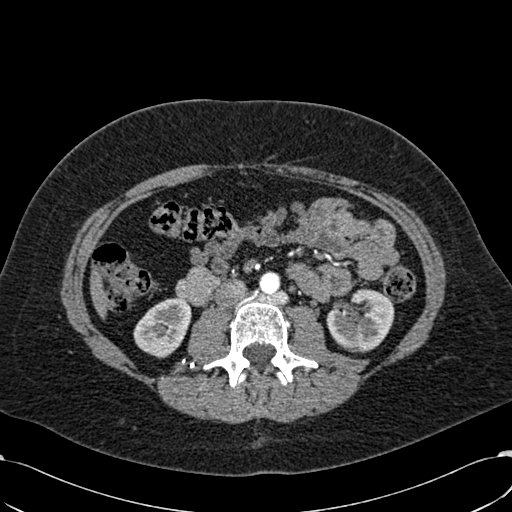
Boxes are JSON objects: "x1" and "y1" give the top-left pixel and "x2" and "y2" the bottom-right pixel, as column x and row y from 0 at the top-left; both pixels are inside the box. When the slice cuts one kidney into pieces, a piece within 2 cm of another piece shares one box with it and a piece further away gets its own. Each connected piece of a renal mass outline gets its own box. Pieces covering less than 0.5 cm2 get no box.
Slice 299/532 of a contrast-enhanced abdominal CT in the arterial phase, counting up from the lowest; pixel size 0.713 mm, slice thickness 1.00 mm. Two boxes on this slice (two kidney boxes), listed by box centre from the image's left to its right. (1) Right kidney, box {"x1": 133, "y1": 297, "x2": 191, "y2": 358} (outlined area 2,522 px, about 12.8 cm2). (2) Left kidney at {"x1": 326, "y1": 288, "x2": 394, "y2": 352} (outlined area 3,206 px, about 16.3 cm2).
Acquired at 120 kVp and reconstructed with the B30f kernel.